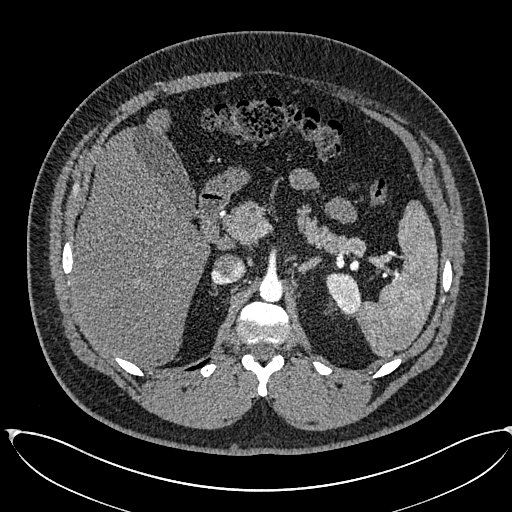
Axial slice 426 of 673 of a contrast-enhanced abdominal CT in the arterial phase (slice 1 is the lowest), 120 kVp, kernel I30f; 1.00 mm slice thickness and 0.855 mm pixels.
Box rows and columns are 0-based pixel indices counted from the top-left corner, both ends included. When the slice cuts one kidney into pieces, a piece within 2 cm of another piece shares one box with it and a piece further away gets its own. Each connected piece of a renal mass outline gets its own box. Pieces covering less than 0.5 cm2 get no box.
Box rows 272–315, columns 326–361: left kidney (outlined area 1,111 px, about 8.1 cm2). No renal mass is outlined on this slice.